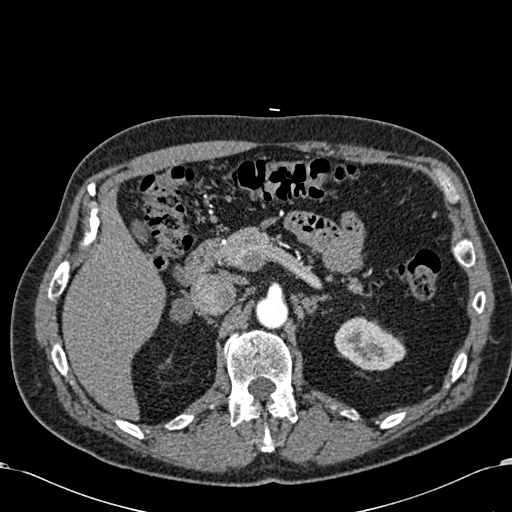
One axial slice (425 of 581, counting up from the lowest) of an arterial-phase abdominal CT acquired with 120 kVp, kernel B30f; each pixel is 0.713 mm and the slice is 1.00 mm thick.
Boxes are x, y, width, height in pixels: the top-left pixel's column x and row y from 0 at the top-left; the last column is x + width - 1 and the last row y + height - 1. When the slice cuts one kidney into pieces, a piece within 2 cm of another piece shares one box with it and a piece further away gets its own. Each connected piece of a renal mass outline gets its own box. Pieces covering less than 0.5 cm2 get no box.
Left kidney at x 334, y 316, width 73, height 56 (outlined area 2,744 px, about 13.9 cm2). No renal mass outline on this slice.